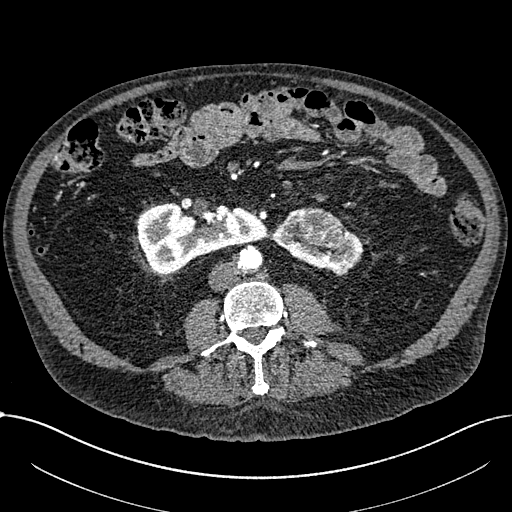
Abdominal CT with intravenous contrast, arterial phase, axial plane, 100 kVp, kernel I30f. Slice 314/1059 from the bottom of the scan; thickness 1.00 mm; pixel size 0.811 mm.
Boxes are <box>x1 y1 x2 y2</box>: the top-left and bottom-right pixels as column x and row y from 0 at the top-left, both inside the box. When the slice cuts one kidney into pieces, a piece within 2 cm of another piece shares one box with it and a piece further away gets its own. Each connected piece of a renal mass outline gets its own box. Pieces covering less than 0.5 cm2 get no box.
Boxed on this slice (two kidney boxes and one renal mass box), listed by box centre from the image's left to its right: (1) Right part of the midline-crossing kidney at <box>137 201 267 272</box> (outlined area 6,189 px, about 40.7 cm2). (2) Left part of the midline-crossing kidney at <box>272 207 363 274</box> (outlined area 2,592 px, about 17.0 cm2). (3) Renal mass at <box>296 210 343 247</box> (outlined area 1,402 px, about 9.2 cm2).